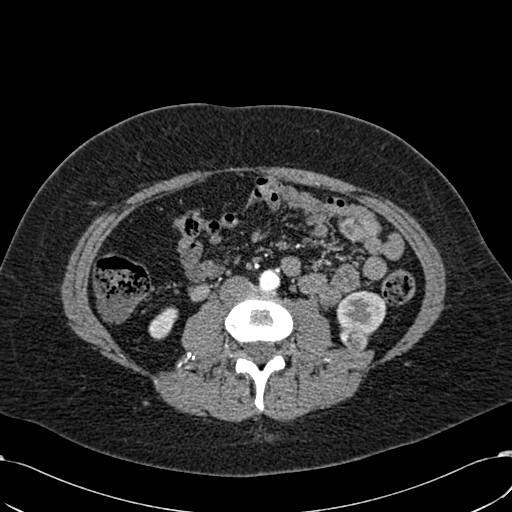
Abdominal CT with intravenous contrast, arterial phase, axial plane, 120 kVp, kernel B30f. Slice 270/532 from the bottom of the scan; thickness 1.00 mm; pixel size 0.713 mm.
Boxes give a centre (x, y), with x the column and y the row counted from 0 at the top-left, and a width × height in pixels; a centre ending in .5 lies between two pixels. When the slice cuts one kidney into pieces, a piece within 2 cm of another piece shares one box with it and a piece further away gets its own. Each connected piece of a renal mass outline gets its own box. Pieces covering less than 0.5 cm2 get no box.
Boxed on this slice (two kidney boxes and one renal mass box), listed by box centre from the image's left to its right: (1) Box centre (163, 322.5), 31 × 34 pixels: right kidney (outlined area 645 px, about 3.3 cm2). (2) Box centre (353.5, 341), 28 × 23 pixels: left renal mass (outlined area 502 px, about 2.6 cm2). (3) Box centre (361, 312), 51 × 45 pixels: left kidney (outlined area 1,708 px, about 8.7 cm2).